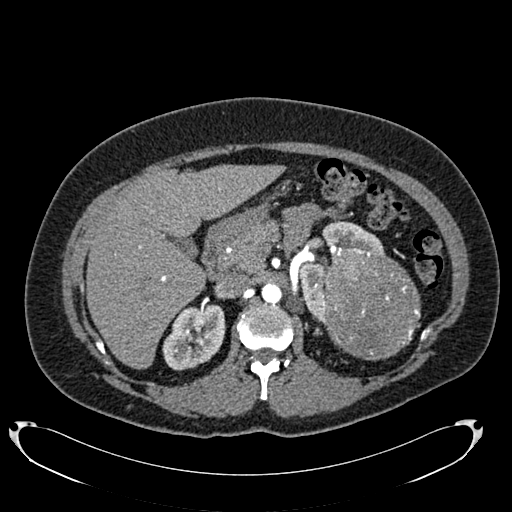
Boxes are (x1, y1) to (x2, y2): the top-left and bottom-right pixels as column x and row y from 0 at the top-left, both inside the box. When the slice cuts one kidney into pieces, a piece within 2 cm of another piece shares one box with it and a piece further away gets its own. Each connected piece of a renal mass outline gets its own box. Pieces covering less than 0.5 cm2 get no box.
This is axial slice 477 of 634 (slice 1 is the lowest) of an arterial-phase abdominal CT with contrast; each pixel is 0.838 mm and the slice is 1.00 mm thick. Three boxes on this slice (two kidney boxes and one renal mass box), listed by box centre from the image's left to its right. (1) Right kidney, box (162, 304) to (225, 370) (outlined area 3,099 px, about 21.8 cm2). (2) Left kidney from (299, 221) to (384, 324) (outlined area 3,090 px, about 21.7 cm2). (3) Left renal mass from (323, 251) to (420, 360) (outlined area 8,648 px, about 60.7 cm2).
Tube voltage 120 kVp; convolution kernel B20f.